Abdominal CT with intravenous contrast, axial plane, 120 kVp, kernel B31f. Slice 65/113 from the bottom of the scan; thickness 2.00 mm; pixel size 0.742 mm.
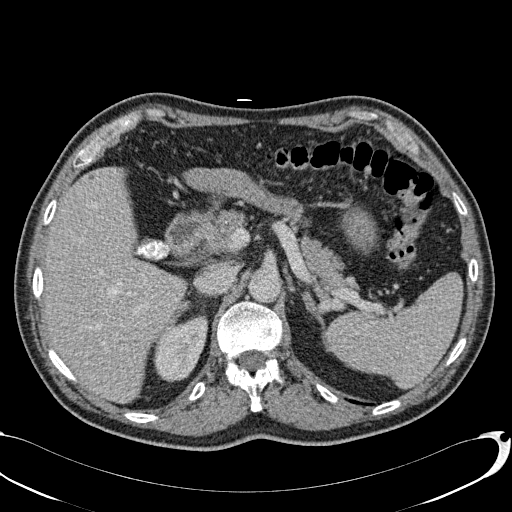
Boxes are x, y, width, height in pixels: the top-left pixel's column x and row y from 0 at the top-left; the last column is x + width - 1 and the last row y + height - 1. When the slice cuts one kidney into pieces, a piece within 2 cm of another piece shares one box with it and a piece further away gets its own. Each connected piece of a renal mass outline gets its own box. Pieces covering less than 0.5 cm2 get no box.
Right kidney, box x 153, y 315, width 55, height 67 (outlined area 2,586 px, about 14.2 cm2). No renal mass is outlined on this slice.